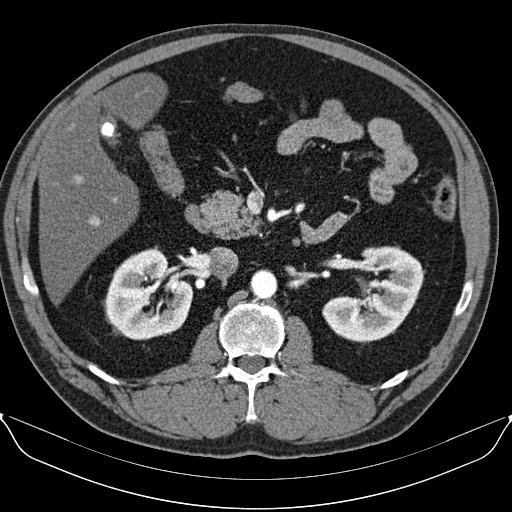
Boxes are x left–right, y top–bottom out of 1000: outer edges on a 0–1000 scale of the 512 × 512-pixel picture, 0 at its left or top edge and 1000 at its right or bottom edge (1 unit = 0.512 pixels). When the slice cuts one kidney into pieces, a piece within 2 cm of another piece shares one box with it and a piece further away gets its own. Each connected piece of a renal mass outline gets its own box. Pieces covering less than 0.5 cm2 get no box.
This is axial slice 54 of 96 (slice 1 is the lowest) of an arterial-phase abdominal CT with contrast; each pixel is 0.781 mm and the slice is 3.00 mm thick. Two boxes on this slice (two kidney boxes), listed by box centre from the image's left to its right. (1) Right kidney at x 205–379, y 484–666 out of 1000 (outlined area 5,764 px, about 35.2 cm2). (2) Left kidney at x 629–832, y 480–672 out of 1000 (outlined area 6,186 px, about 37.8 cm2). This slice carries no renal mass outline.
Tube voltage 130 kVp; convolution kernel B30s.